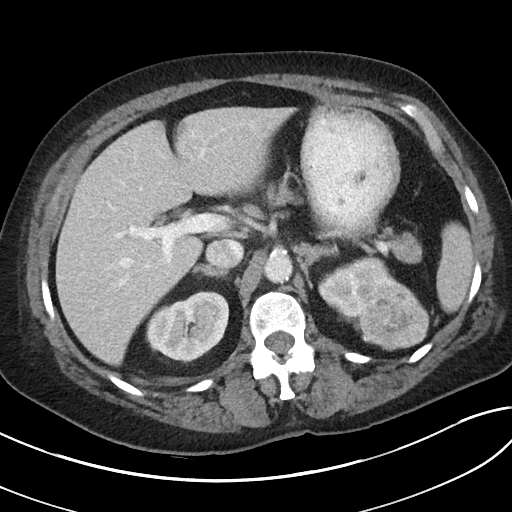
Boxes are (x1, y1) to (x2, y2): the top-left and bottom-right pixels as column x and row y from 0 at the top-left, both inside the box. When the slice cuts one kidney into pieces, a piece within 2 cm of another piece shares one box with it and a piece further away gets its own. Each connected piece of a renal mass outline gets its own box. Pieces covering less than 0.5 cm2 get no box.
This is axial slice 65 of 80 (slice 1 is the lowest) of an abdominal CT with contrast; each pixel is 0.703 mm and the slice is 5.00 mm thick. Boxed on this slice (two kidney boxes and one renal mass box), listed by box centre from the image's left to its right: (1) Right kidney, box (145, 291) to (229, 362) (outlined area 4,316 px, about 21.3 cm2). (2) Box (318, 253) to (397, 320): left kidney (outlined area 2,932 px, about 14.5 cm2). (3) Left renal mass from (358, 282) to (429, 350) (outlined area 3,572 px, about 17.7 cm2).
Acquired at 100 kVp and reconstructed with the I40f kernel.